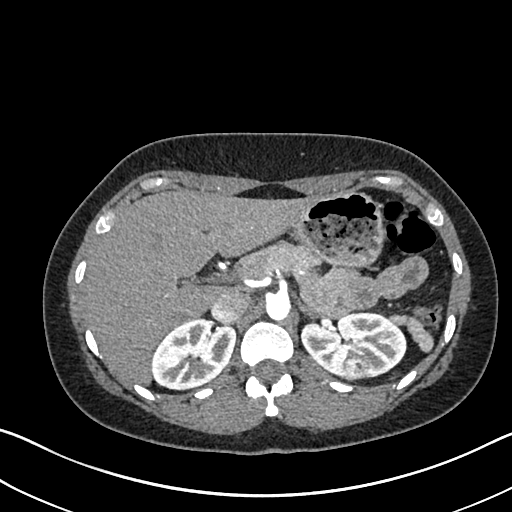
Arterial-phase contrast-enhanced abdominal CT, axial slice 484 of 612 (counted from the lowest slice); tube voltage 120 kVp, convolution kernel I30f; slices 1.00 mm thick, 0.703 mm per pixel.
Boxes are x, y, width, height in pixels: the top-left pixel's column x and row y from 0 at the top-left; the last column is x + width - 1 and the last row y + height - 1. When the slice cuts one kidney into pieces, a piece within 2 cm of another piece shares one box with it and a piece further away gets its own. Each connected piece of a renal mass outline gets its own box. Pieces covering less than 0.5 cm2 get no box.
Boxed on this slice (two kidney boxes and one renal mass box), listed by box centre from the image's left to its right: (1) Box x 151, y 318, width 85, height 72: right kidney (outlined area 4,567 px, about 22.6 cm2). (2) Left kidney, box x 300, y 310, width 107, height 72 (outlined area 5,081 px, about 25.1 cm2). (3) Box x 345, y 356, width 24, height 24: left renal mass (outlined area 476 px, about 2.4 cm2).